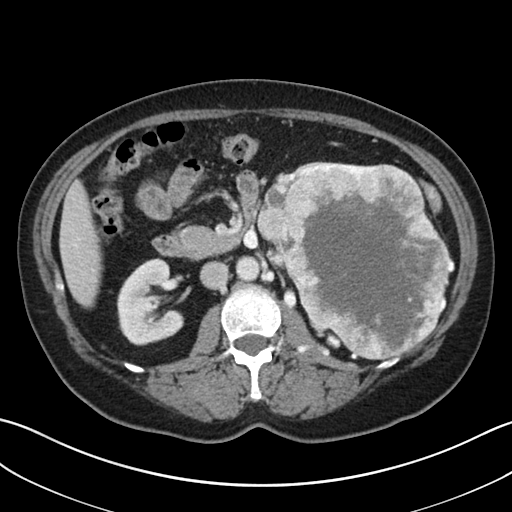
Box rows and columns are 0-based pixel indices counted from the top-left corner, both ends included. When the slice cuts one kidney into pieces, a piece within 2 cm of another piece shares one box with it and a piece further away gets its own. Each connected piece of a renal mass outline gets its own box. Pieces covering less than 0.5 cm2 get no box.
Slice 17/38 of a contrast-enhanced abdominal CT, counting up from the lowest; pixel size 0.730 mm, slice thickness 5.00 mm. Three boxes on this slice (two kidney boxes and one renal mass box), listed by box centre from the image's left to its right. (1) Box rows 258–345, columns 116–184: right kidney (outlined area 4,145 px, about 22.1 cm2). (2) Box rows 161–172, columns 293–322: left kidney (outlined area 95 px, about 0.5 cm2). (3) Left renal mass, box rows 162–360, columns 256–454 (outlined area 28,095 px, about 149.9 cm2).
Scan settings: 100 kVp, I30f reconstruction kernel.